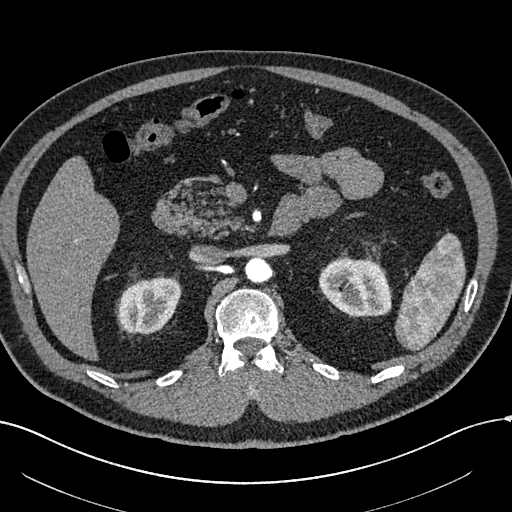
One axial slice (391 of 602, counting up from the lowest) of an arterial-phase abdominal CT acquired with 120 kVp, kernel I30f; each pixel is 0.799 mm and the slice is 1.00 mm thick.
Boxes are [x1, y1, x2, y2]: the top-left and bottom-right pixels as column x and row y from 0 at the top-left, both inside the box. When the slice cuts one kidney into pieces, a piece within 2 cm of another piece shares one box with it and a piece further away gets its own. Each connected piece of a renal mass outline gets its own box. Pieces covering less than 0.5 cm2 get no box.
Two kidney boxes on this slice; by box centre, from the image's left to its right: (1) Box [118, 278, 181, 334]: right kidney (outlined area 2,819 px, about 18.0 cm2). (2) Left kidney at [318, 257, 391, 316] (outlined area 3,467 px, about 22.1 cm2). No renal mass is outlined on this slice.